Arterial-phase contrast-enhanced abdominal CT, axial slice 578 of 719 (counted from the lowest slice); tube voltage 120 kVp, convolution kernel B20f; slices 1.00 mm thick, 0.766 mm per pixel.
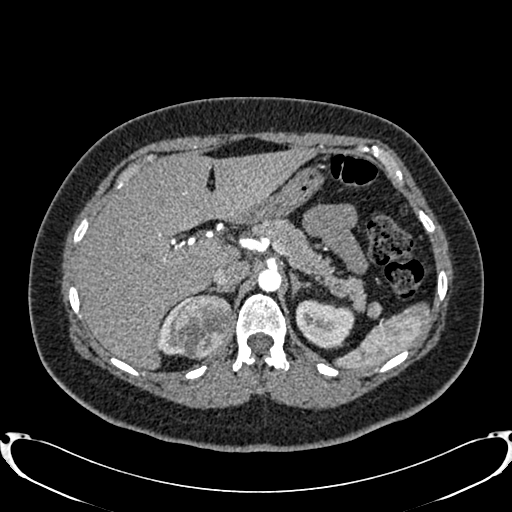
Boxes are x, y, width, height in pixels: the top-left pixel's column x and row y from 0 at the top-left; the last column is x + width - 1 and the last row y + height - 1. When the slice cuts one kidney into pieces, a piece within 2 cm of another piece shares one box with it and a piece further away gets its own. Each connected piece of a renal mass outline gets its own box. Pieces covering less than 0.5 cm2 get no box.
Two kidney boxes and one renal mass box on this slice; by box centre, from the image's left to its right: (1) Right kidney, box x 157, y 296, width 41, height 60 (outlined area 781 px, about 4.6 cm2). (2) Right renal mass, box x 175, y 294, width 58, height 66 (outlined area 2,871 px, about 16.8 cm2). (3) Box x 295, y 299, width 60, height 50: left kidney (outlined area 2,208 px, about 12.9 cm2).